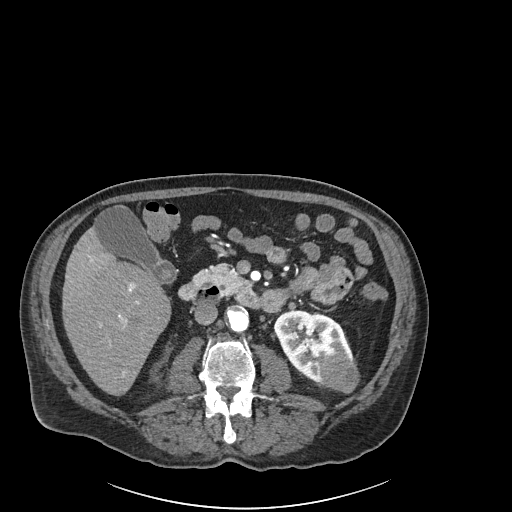
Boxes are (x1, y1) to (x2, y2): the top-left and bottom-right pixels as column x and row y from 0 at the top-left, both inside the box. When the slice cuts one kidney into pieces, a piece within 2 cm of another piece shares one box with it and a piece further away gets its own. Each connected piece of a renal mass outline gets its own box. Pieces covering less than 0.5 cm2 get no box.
This is axial slice 94 of 261 (slice 1 is the lowest) of an arterial-phase abdominal CT with contrast; each pixel is 0.939 mm and the slice is 2.00 mm thick. One kidney box and one renal mass box on this slice; by box centre, from the image's left to its right: (1) Left kidney, box (273, 310) to (353, 386) (outlined area 3,427 px, about 30.2 cm2). (2) Left renal mass from (319, 351) to (359, 392) (outlined area 1,296 px, about 11.4 cm2).
Acquired at 120 kVp and reconstructed with the I30f kernel.